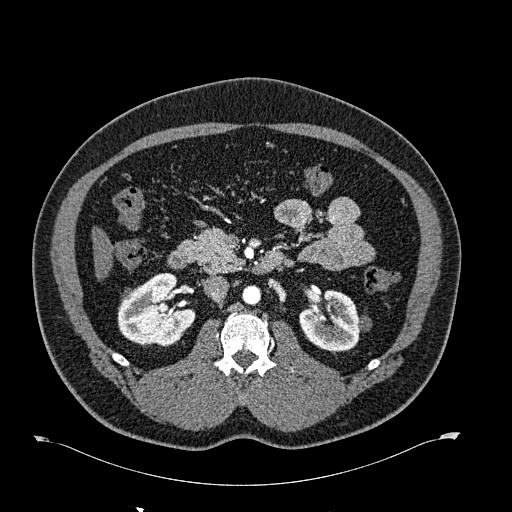
Abdominal CT with intravenous contrast, arterial phase, axial plane, 120 kVp, kernel B30f. Slice 367/723 from the bottom of the scan; thickness 1.00 mm; pixel size 0.895 mm.
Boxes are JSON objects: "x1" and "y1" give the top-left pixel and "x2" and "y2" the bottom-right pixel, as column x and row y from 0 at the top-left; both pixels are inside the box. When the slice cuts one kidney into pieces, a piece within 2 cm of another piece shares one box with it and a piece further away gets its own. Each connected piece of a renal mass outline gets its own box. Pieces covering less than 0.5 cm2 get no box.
Boxed on this slice (two kidney boxes and one renal mass box), listed by box centre from the image's left to its right: (1) Right renal mass, box {"x1": 121, "y1": 288, "x2": 133, "y2": 300} (outlined area 127 px, about 1.0 cm2). (2) Right kidney, box {"x1": 118, "y1": 273, "x2": 195, "y2": 346} (outlined area 3,989 px, about 31.9 cm2). (3) Left kidney, box {"x1": 299, "y1": 289, "x2": 371, "y2": 351} (outlined area 3,006 px, about 24.1 cm2).